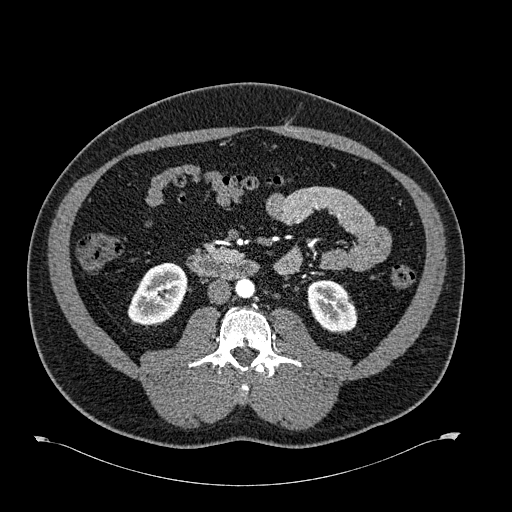
Abdominal CT with intravenous contrast, arterial phase, axial plane, 120 kVp, kernel B30f. Slice 302/723 from the bottom of the scan; thickness 1.00 mm; pixel size 0.895 mm.
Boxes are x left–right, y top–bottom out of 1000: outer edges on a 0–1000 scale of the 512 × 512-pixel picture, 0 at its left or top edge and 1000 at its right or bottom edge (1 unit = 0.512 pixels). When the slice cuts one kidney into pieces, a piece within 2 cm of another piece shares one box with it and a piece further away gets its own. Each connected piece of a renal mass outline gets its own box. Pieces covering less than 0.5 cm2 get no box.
Boxed on this slice (two kidney boxes), listed by box centre from the image's left to its right: (1) Box x 248–367, y 512–639 out of 1000: right kidney (outlined area 2,744 px, about 22.0 cm2). (2) Left kidney, box x 600–699, y 547–650 out of 1000 (outlined area 2,037 px, about 16.3 cm2). No renal mass is outlined on this slice.